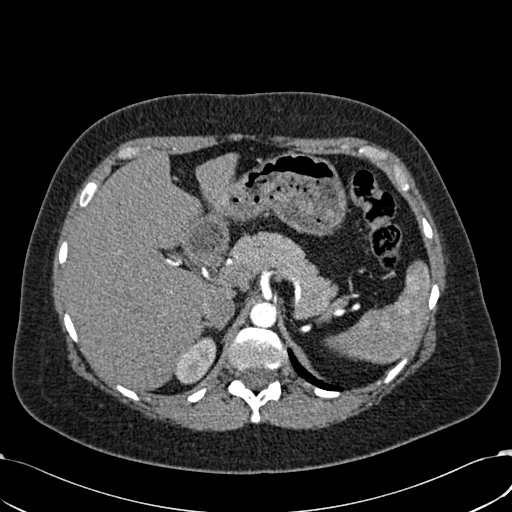
Abdominal CT with intravenous contrast, arterial phase, axial plane, 120 kVp, kernel B30f. Slice 453/532 from the bottom of the scan; thickness 1.00 mm; pixel size 0.713 mm.
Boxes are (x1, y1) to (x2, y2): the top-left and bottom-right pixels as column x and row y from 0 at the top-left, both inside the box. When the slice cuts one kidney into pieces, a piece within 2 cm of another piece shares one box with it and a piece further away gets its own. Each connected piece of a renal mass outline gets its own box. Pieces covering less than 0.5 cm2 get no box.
Right kidney, box (174, 337) to (216, 384) (outlined area 1,379 px, about 7.0 cm2). This slice carries no renal mass outline.